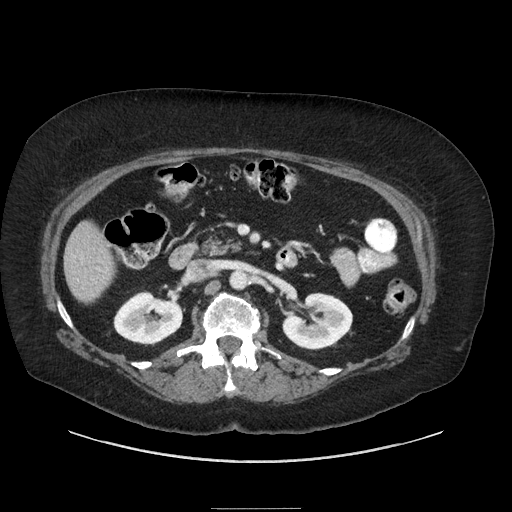
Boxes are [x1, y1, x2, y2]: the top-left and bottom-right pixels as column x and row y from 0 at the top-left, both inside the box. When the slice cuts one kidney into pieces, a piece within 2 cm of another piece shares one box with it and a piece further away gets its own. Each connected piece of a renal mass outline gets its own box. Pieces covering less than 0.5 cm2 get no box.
This is axial slice 127 of 186 (slice 1 is the lowest) of an abdominal CT with contrast; each pixel is 0.850 mm and the slice is 2.50 mm thick. Boxed on this slice (two kidney boxes), listed by box centre from the image's left to its right: (1) Right kidney, box [113, 290, 183, 345] (outlined area 2,801 px, about 20.2 cm2). (2) Box [282, 292, 352, 349]: left kidney (outlined area 3,037 px, about 21.9 cm2). This slice carries no renal mass outline.
Tube voltage 120 kVp; convolution kernel STANDARD.